Abdominal CT with intravenous contrast, arterial phase, axial plane, 120 kVp, kernel B20f. Slice 458/719 from the bottom of the scan; thickness 1.00 mm; pixel size 0.766 mm.
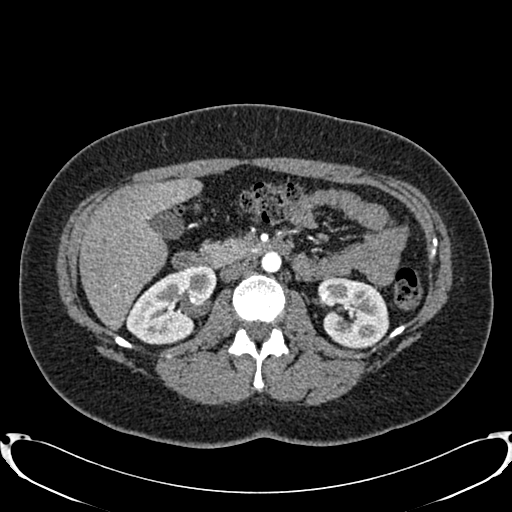
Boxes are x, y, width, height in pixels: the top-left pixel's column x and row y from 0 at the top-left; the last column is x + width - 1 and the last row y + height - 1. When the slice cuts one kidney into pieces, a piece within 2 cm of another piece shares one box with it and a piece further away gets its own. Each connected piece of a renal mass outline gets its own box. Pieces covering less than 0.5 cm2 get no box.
Boxed on this slice (two kidney boxes), listed by box centre from the image's left to its right: (1) Box x 126, y 266, width 91, height 79: right kidney (outlined area 4,780 px, about 28.0 cm2). (2) Left kidney, box x 317, y 277, width 73, height 72 (outlined area 3,968 px, about 23.3 cm2). This slice carries no renal mass outline.